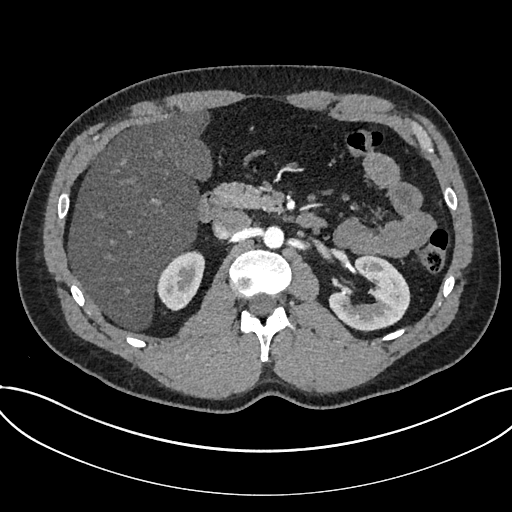
Axial slice 450 of 735 of a contrast-enhanced abdominal CT in the arterial phase (slice 1 is the lowest), 120 kVp, kernel I30f; 1.00 mm slice thickness and 0.789 mm pixels.
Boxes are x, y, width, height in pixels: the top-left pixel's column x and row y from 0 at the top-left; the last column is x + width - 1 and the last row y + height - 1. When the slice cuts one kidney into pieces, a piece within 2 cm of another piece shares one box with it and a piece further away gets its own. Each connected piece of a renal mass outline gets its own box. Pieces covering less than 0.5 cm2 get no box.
Boxed on this slice (two kidney boxes), listed by box centre from the image's left to its right: (1) Kidney, box x 157, y 250, width 47, height 62 (outlined area 2,033 px, about 12.7 cm2). (2) Kidney, box x 328, y 255, width 82, height 77 (outlined area 4,020 px, about 25.0 cm2). This slice carries no renal mass outline.